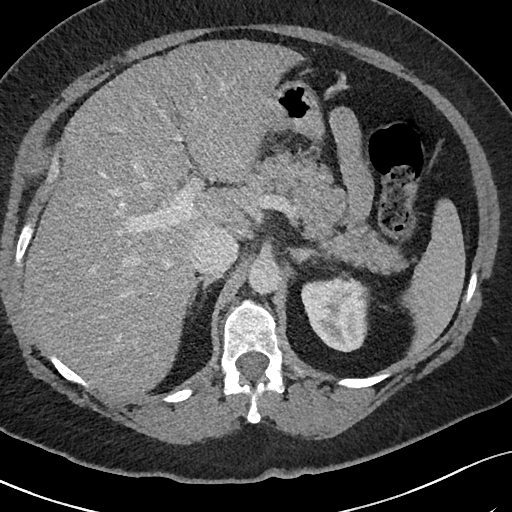
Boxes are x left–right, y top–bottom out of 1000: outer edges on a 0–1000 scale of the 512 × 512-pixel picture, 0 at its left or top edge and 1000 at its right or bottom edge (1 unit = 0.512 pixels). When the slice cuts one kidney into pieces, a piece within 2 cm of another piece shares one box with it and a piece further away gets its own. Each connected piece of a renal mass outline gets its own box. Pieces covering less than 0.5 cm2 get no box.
Arterial-phase contrast-enhanced abdominal CT, axial slice 59 of 69 (counted from the lowest slice); 3.00 mm thick, 0.664 mm per pixel. Left kidney at x 588–725, y 539–689 out of 1000 (outlined area 4,084 px, about 18.0 cm2). This slice carries no renal mass outline.
Acquired at 120 kVp and reconstructed with the I40f kernel.